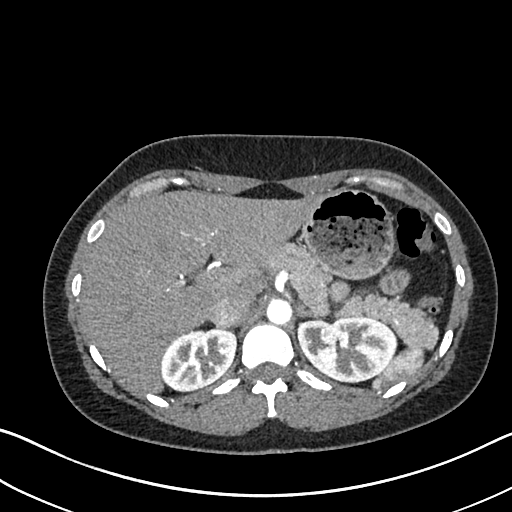
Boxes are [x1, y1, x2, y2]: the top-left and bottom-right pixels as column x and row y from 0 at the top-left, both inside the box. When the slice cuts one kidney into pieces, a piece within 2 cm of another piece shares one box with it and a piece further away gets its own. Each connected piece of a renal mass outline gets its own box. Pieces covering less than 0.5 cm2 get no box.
Arterial-phase contrast-enhanced abdominal CT, axial slice 505 of 612 (counted from the lowest slice); 1.00 mm thick, 0.703 mm per pixel. Two boxes on this slice (two kidney boxes), listed by box centre from the image's left to its right. (1) Box [160, 328, 235, 390]: right kidney (outlined area 3,676 px, about 18.2 cm2). (2) Left kidney at [296, 316, 397, 382] (outlined area 5,200 px, about 25.7 cm2). No renal mass outline on this slice.
Acquired at 120 kVp and reconstructed with the I30f kernel.